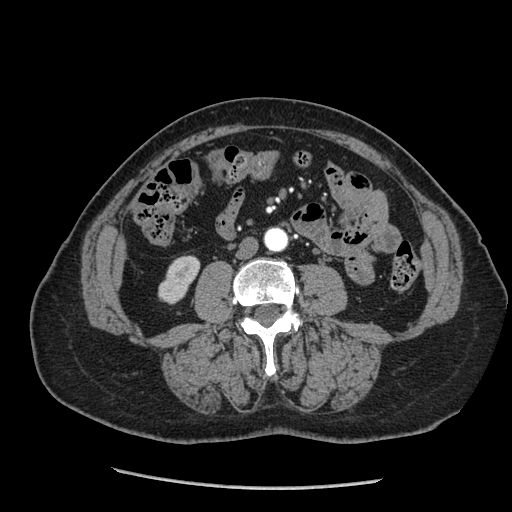
Abdominal CT with intravenous contrast, arterial phase, axial plane, 120 kVp, kernel STANDARD. Slice 86/233 from the bottom of the scan; thickness 1.25 mm; pixel size 0.703 mm.
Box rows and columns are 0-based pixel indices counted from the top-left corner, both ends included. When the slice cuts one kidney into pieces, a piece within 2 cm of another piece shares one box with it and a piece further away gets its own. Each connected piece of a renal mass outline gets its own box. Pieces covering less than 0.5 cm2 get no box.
Right kidney, box rows 255–304, columns 157–200 (outlined area 1,362 px, about 6.7 cm2). This slice carries no renal mass outline.